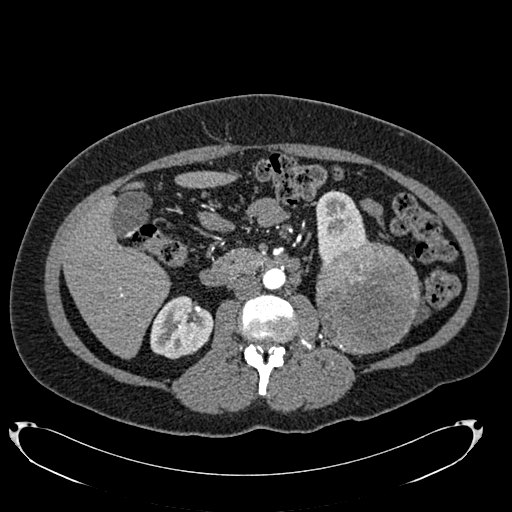
One axial slice (397 of 634, counting up from the lowest) of an arterial-phase abdominal CT acquired with 120 kVp, kernel B20f; each pixel is 0.838 mm and the slice is 1.00 mm thick.
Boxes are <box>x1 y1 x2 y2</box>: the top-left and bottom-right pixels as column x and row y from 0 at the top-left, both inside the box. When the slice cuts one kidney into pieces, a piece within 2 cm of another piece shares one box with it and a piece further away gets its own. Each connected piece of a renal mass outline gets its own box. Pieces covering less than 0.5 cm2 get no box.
Boxed on this slice (two kidney boxes and one renal mass box), listed by box centre from the image's left to its right: (1) Right kidney: <box>150 296 213 358</box> (outlined area 2,973 px, about 20.9 cm2). (2) Left kidney: <box>316 190 369 261</box> (outlined area 2,567 px, about 18.0 cm2). (3) Left renal mass at <box>315 242 419 356</box> (outlined area 9,457 px, about 66.4 cm2).